Axial slice 279 of 470 of a contrast-enhanced abdominal CT (slice 1 is the lowest), 100 kVp, kernel I40f; 2.00 mm slice thickness and 0.824 mm pixels.
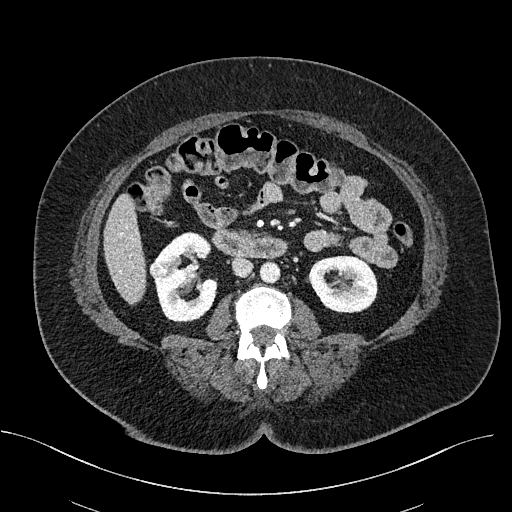
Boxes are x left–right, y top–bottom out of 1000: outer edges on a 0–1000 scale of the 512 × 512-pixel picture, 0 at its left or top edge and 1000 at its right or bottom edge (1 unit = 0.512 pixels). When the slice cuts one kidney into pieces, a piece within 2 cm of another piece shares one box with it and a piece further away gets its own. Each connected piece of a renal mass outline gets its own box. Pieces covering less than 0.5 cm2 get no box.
Two kidney boxes and one renal mass box on this slice; by box centre, from the image's left to its right: (1) Box x 291–328, y 508–545 out of 1000: right renal mass (outlined area 286 px, about 1.9 cm2). (2) Right kidney, box x 301–426, y 451–631 out of 1000 (outlined area 3,938 px, about 26.8 cm2). (3) Left kidney at x 602–738, y 498–611 out of 1000 (outlined area 3,143 px, about 21.4 cm2).